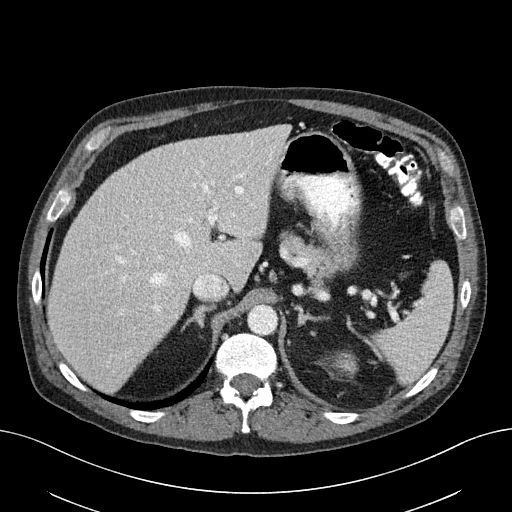
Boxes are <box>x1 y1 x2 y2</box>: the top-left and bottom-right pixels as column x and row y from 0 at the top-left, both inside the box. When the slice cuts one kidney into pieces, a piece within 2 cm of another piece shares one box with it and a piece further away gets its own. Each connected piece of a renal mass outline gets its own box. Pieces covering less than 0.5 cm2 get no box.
This is axial slice 134 of 163 (slice 1 is the lowest) of an abdominal CT with contrast; each pixel is 0.799 mm and the slice is 3.00 mm thick. Left kidney: <box>334 353 356 375</box> (outlined area 369 px, about 2.4 cm2). No renal mass outline on this slice.
Acquired at 100 kVp and reconstructed with the I40f kernel.